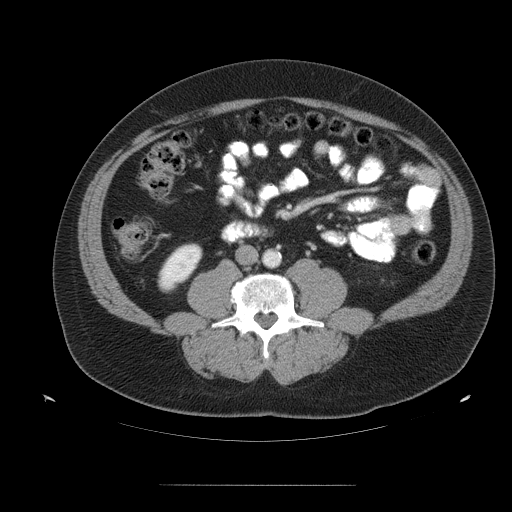
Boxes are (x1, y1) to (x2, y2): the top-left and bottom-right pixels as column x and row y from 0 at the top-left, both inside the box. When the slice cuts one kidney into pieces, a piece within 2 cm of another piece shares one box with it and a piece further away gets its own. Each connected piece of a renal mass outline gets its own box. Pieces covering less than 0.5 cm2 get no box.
Slice 56/99 of a contrast-enhanced abdominal CT, counting up from the lowest; pixel size 0.938 mm, slice thickness 5.00 mm. Box (157, 242) to (202, 293): right kidney (outlined area 1,457 px, about 12.8 cm2). No renal mass outline on this slice.
Tube voltage 120 kVp; convolution kernel STANDARD.